Arterial-phase contrast-enhanced abdominal CT, axial slice 411 of 602 (counted from the lowest slice); tube voltage 120 kVp, convolution kernel I30f; slices 1.00 mm thick, 0.799 mm per pixel.
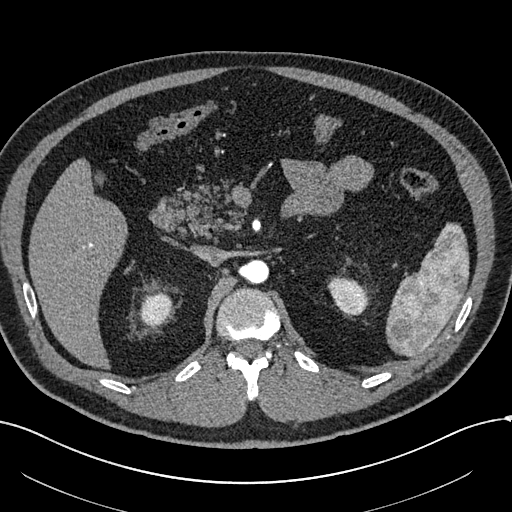
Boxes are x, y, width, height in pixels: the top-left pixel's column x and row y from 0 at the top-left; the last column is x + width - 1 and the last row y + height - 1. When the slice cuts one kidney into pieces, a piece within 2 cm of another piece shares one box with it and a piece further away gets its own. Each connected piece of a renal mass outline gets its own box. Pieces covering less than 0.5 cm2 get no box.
Boxed on this slice (two kidney boxes), listed by box centre from the image's left to its right: (1) Right kidney, box x 139, y 293, width 36, height 35 (outlined area 952 px, about 6.1 cm2). (2) Box x 327, y 276, width 41, height 40: left kidney (outlined area 1,127 px, about 7.2 cm2). No renal mass is outlined on this slice.